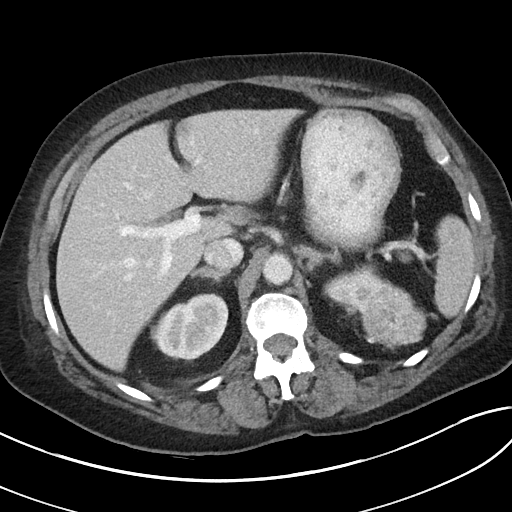
One axial slice (66 of 80, counting up from the lowest) of a contrast-enhanced abdominal CT acquired with 100 kVp, kernel I40f; each pixel is 0.703 mm and the slice is 5.00 mm thick.
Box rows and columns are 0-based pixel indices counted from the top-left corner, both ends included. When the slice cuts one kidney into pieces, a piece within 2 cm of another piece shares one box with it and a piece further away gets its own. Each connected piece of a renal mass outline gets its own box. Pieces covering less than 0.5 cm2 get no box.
Boxed on this slice (two kidney boxes and one renal mass box), listed by box centre from the image's left to its right: (1) Right kidney at rows 293–360, columns 155–228 (outlined area 3,717 px, about 18.4 cm2). (2) Box rows 270–311, columns 327–387: left kidney (outlined area 1,283 px, about 6.3 cm2). (3) Box rows 283–348, columns 360–428: left renal mass (outlined area 3,291 px, about 16.3 cm2).